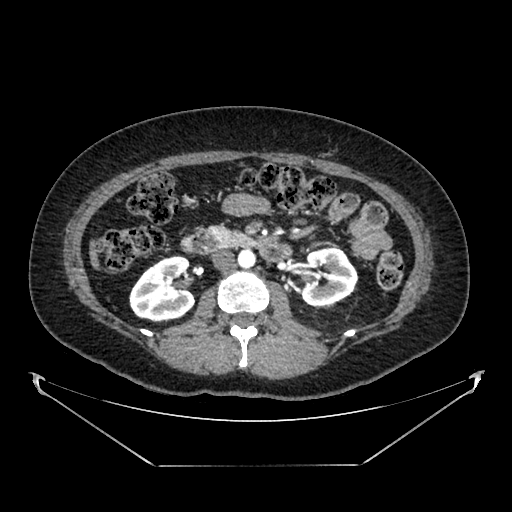
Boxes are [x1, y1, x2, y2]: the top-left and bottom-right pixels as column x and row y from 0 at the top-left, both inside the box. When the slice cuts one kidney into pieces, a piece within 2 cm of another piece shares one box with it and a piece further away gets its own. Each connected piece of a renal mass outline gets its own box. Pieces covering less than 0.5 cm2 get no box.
Arterial-phase contrast-enhanced abdominal CT, axial slice 220 of 383 (counted from the lowest slice); 1.25 mm thick, 0.898 mm per pixel. Boxed on this slice (two kidney boxes), listed by box centre from the image's left to its right: (1) Right kidney, box [129, 255, 195, 322] (outlined area 3,368 px, about 27.2 cm2). (2) Left kidney, box [300, 246, 357, 306] (outlined area 2,655 px, about 21.4 cm2). No renal mass is outlined on this slice.
Acquired at 100 kVp and reconstructed with the SOFT kernel.